Abdominal CT with intravenous contrast, arterial phase, axial plane, 120 kVp, kernel I30f. Slice 455/735 from the bottom of the scan; thickness 1.00 mm; pixel size 0.789 mm.
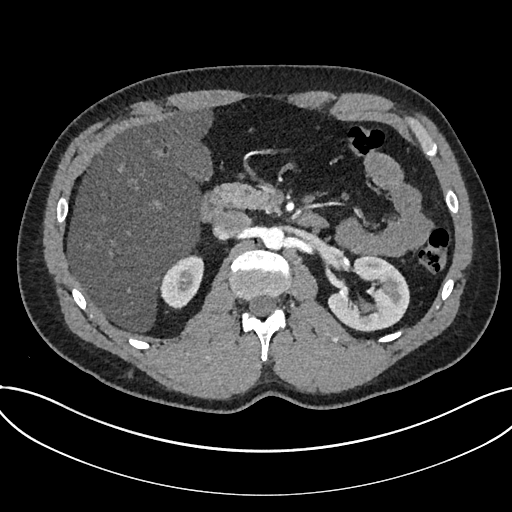
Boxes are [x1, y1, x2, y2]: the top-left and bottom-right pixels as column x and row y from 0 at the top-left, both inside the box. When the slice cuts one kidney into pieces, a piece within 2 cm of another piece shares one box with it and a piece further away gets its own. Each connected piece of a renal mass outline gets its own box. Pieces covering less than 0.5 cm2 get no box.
Two boxes on this slice (two kidney boxes), listed by box centre from the image's left to its right. (1) Kidney at [160, 255, 204, 309] (outlined area 1,727 px, about 10.8 cm2). (2) Kidney at [327, 255, 409, 331] (outlined area 4,129 px, about 25.7 cm2). No renal mass is outlined on this slice.